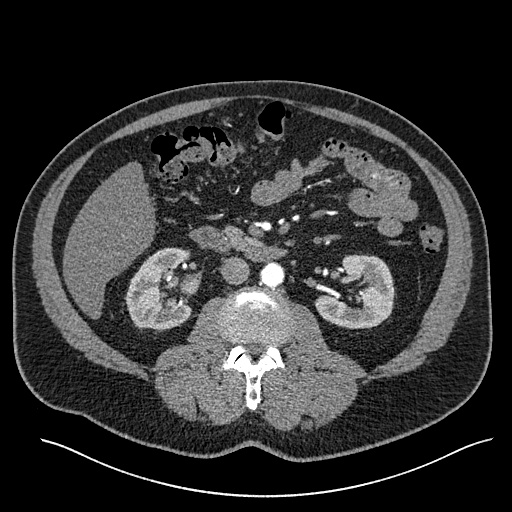
Arterial-phase contrast-enhanced abdominal CT, axial slice 300 of 527 (counted from the lowest slice); tube voltage 120 kVp, convolution kernel I30f; slices 1.00 mm thick, 0.859 mm per pixel.
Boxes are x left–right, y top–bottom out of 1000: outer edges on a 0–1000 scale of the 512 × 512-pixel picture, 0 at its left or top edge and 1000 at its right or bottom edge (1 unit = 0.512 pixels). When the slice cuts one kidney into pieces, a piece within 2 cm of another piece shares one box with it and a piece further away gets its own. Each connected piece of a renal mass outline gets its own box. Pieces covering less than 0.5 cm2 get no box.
Boxed on this slice (two kidney boxes), listed by box centre from the image's left to its right: (1) Box x 242–377, y 482–652 out of 1000: right kidney (outlined area 4,244 px, about 31.3 cm2). (2) Box x 617–773, y 496–643 out of 1000: left kidney (outlined area 4,138 px, about 30.6 cm2). This slice carries no renal mass outline.